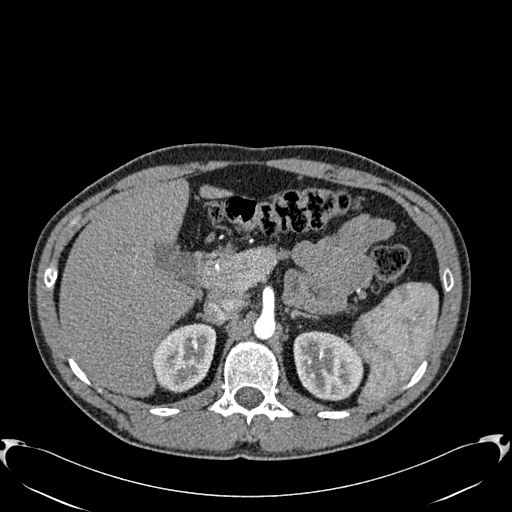
Abdominal CT with intravenous contrast, arterial phase, axial plane, 120 kVp, kernel B30f. Slice 416/512 from the bottom of the scan; thickness 1.00 mm; pixel size 0.771 mm.
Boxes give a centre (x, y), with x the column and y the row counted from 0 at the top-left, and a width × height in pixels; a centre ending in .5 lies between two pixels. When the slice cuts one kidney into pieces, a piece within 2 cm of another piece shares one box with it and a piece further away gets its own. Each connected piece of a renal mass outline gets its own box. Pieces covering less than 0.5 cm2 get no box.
Two kidney boxes on this slice; by box centre, from the image's left to its right: (1) Right kidney in a box with centre (184, 357.5), 65 × 70 pixels (outlined area 3,397 px, about 20.2 cm2). (2) Left kidney in a box with centre (328, 365.5), 71 × 72 pixels (outlined area 3,891 px, about 23.2 cm2). No renal mass outline on this slice.